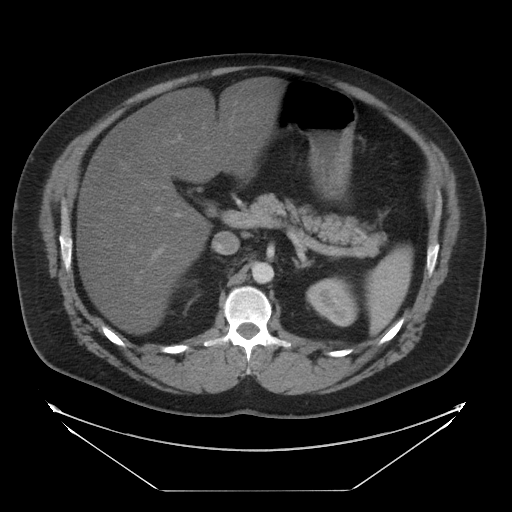
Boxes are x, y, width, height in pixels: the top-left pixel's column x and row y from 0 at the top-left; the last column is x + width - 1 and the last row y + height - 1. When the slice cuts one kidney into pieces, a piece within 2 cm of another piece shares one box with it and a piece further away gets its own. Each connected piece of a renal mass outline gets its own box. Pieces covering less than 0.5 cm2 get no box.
Contrast-enhanced abdominal CT, axial slice 24 of 29 (counted from the lowest slice); 5.00 mm thick, 0.977 mm per pixel. Box x 306, y 278, width 52, height 49: left kidney (outlined area 1,779 px, about 17.0 cm2). No renal mass outline on this slice.
Scan settings: 120 kVp, STANDARD reconstruction kernel.